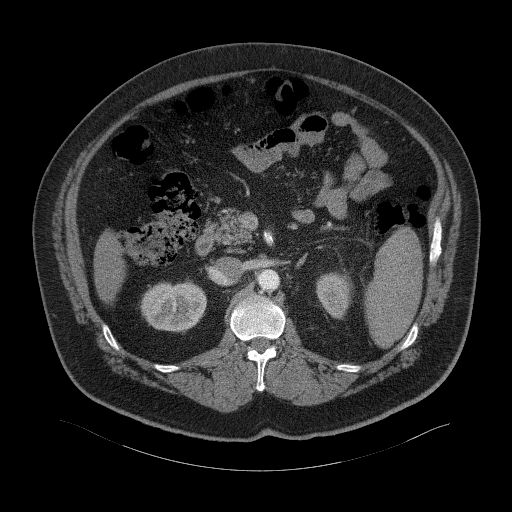
Axial slice 38 of 94 of a contrast-enhanced abdominal CT (slice 1 is the lowest), 120 kVp, kernel B41f; 3.00 mm slice thickness and 0.977 mm pixels.
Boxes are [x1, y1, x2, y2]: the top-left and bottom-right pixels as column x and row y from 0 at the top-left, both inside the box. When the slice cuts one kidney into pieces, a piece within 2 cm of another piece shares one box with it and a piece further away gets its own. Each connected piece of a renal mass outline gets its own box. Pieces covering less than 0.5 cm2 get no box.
Two kidney boxes on this slice; by box centre, from the image's left to its right: (1) Box [140, 279, 207, 333]: right kidney (outlined area 2,763 px, about 26.4 cm2). (2) Box [316, 269, 353, 319]: left kidney (outlined area 1,369 px, about 13.1 cm2). This slice carries no renal mass outline.